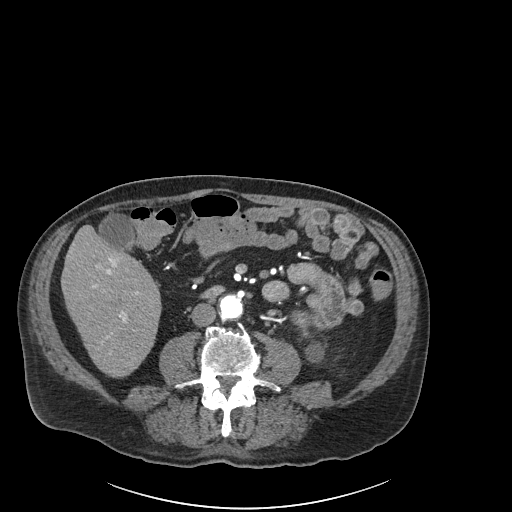
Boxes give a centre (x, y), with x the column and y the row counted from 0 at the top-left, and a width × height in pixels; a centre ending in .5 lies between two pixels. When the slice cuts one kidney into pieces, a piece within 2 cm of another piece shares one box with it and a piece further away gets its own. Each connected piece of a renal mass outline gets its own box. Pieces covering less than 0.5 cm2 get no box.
This is axial slice 62 of 261 (slice 1 is the lowest) of an arterial-phase abdominal CT with contrast; each pixel is 0.939 mm and the slice is 2.00 mm thick. Left kidney, box centre (314, 351), 21 × 23 pixels (outlined area 354 px, about 3.1 cm2). This slice carries no renal mass outline.
Tube voltage 120 kVp; convolution kernel I30f.